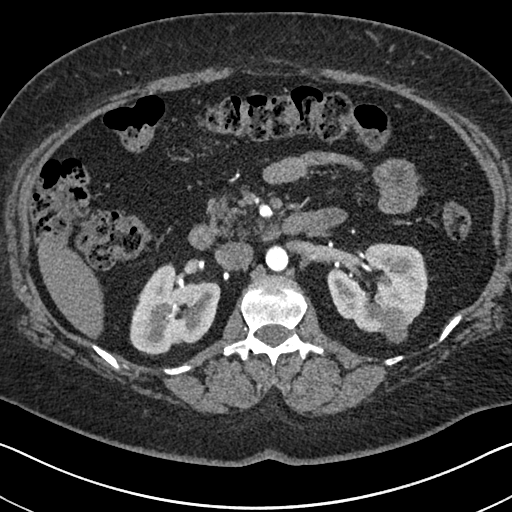
Arterial-phase contrast-enhanced abdominal CT, axial slice 419 of 591 (counted from the lowest slice); tube voltage 140 kVp, convolution kernel I30f; slices 1.00 mm thick, 0.703 mm per pixel.
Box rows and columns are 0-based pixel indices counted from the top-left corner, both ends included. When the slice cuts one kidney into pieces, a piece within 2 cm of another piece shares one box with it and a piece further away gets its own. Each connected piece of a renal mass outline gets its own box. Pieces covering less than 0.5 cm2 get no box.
Boxed on this slice (two kidney boxes and one renal mass box), listed by box centre from the image's left to its right: (1) Right kidney, box rows 262–355, columns 129–220 (outlined area 5,845 px, about 28.9 cm2). (2) Left kidney, box rows 243–332, columns 327–428 (outlined area 6,190 px, about 30.6 cm2). (3) Left renal mass, box rows 305–343, columns 381–410 (outlined area 855 px, about 4.2 cm2).